Abdominal CT with intravenous contrast, arterial phase, axial plane, 120 kVp, kernel B31f. Slice 60/68 from the bottom of the scan; thickness 5.00 mm; pixel size 0.961 mm.
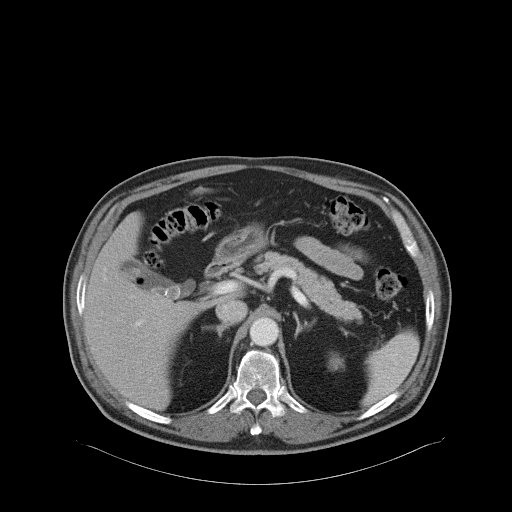
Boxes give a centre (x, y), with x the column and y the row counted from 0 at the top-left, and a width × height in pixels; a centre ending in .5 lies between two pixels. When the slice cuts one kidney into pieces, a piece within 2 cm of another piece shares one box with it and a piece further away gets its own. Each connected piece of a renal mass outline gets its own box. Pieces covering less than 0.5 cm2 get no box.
Box centre (336, 361), 17 × 19 pixels: left kidney (outlined area 231 px, about 2.1 cm2). No renal mass is outlined on this slice.